Arterial-phase contrast-enhanced abdominal CT, axial slice 302 of 602 (counted from the lowest slice); tube voltage 120 kVp, convolution kernel I30f; slices 1.00 mm thick, 0.799 mm per pixel.
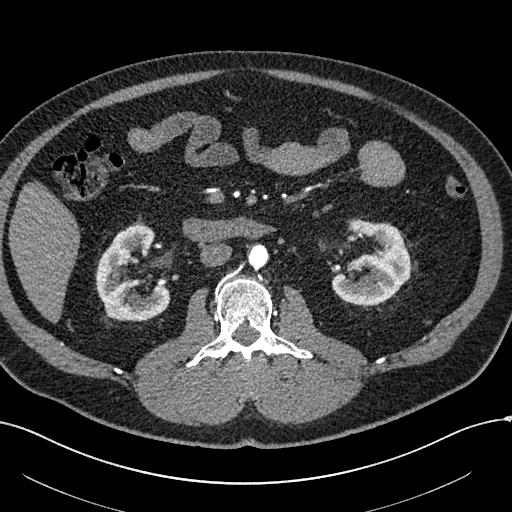
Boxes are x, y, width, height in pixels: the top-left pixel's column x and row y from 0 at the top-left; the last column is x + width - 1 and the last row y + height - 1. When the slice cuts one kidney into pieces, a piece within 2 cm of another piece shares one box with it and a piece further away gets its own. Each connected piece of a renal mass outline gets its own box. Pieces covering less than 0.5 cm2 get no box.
Boxed on this slice (two kidney boxes), listed by box centre from the image's left to its right: (1) Box x 96, y 224, width 75, height 97: right kidney (outlined area 4,793 px, about 30.6 cm2). (2) Box x 331, y 218, width 80, height 88: left kidney (outlined area 4,663 px, about 29.8 cm2). No renal mass is outlined on this slice.